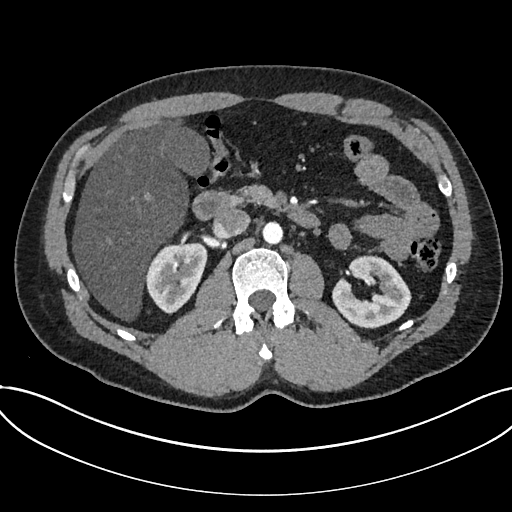
Abdominal CT with intravenous contrast, arterial phase, axial plane, 120 kVp, kernel I30f. Slice 430/735 from the bottom of the scan; thickness 1.00 mm; pixel size 0.789 mm.
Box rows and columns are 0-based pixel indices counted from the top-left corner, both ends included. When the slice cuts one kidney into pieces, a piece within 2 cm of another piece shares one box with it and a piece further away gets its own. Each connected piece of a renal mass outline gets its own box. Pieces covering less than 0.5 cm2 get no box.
Two kidney boxes on this slice; by box centre, from the image's left to its right: (1) Kidney, box rows 242–314, columns 145–207 (outlined area 3,218 px, about 20.0 cm2). (2) Box rows 255–328, columns 332–411: kidney (outlined area 3,885 px, about 24.2 cm2). No renal mass is outlined on this slice.